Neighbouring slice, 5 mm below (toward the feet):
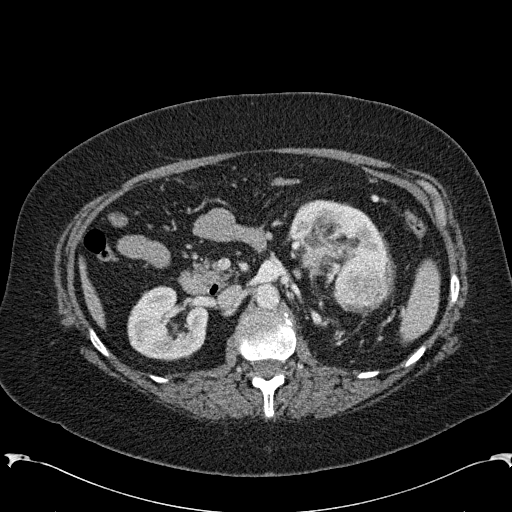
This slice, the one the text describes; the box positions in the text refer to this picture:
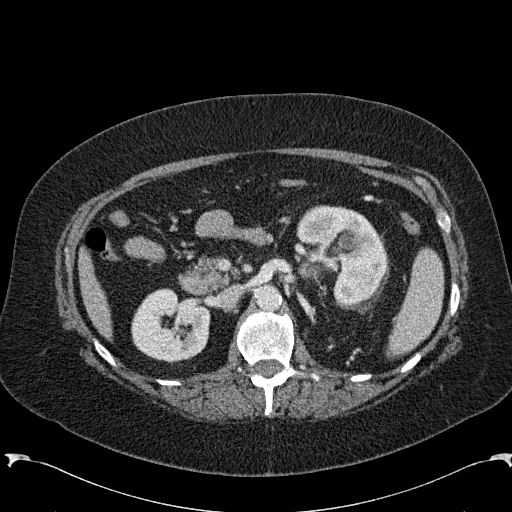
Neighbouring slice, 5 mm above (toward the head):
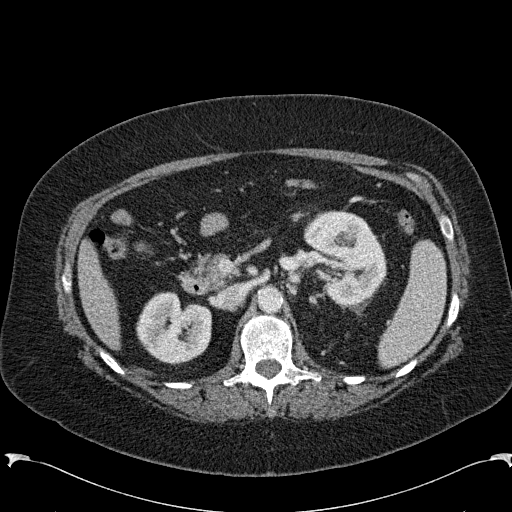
Arterial-phase contrast-enhanced abdominal CT, axial slice 145 of 285 (counted from the lowest slice); tube voltage 120 kVp, convolution kernel B31f; slices 2.00 mm thick, 0.762 mm per pixel.
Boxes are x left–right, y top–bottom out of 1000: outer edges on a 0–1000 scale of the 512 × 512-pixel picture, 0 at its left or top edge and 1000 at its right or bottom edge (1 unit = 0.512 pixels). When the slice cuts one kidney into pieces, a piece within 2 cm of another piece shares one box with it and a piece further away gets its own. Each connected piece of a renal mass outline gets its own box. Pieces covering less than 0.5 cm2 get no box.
Two kidney boxes and one renal mass box on this slice; by box centre, from the image's left to its right: (1) Right kidney, box x 256–412, y 561–711 out of 1000 (outlined area 4,504 px, about 26.1 cm2). (2) Left kidney, box x 578–762, y 400–600 out of 1000 (outlined area 5,830 px, about 33.8 cm2). (3) Left renal mass, box x 693–756, y 520–576 out of 1000 (outlined area 731 px, about 4.2 cm2). This slice is near the end of the left renal mass toward the head, so the slices 5 mm below and 5 mm above it are shown as well; the boxes refer to this slice only.